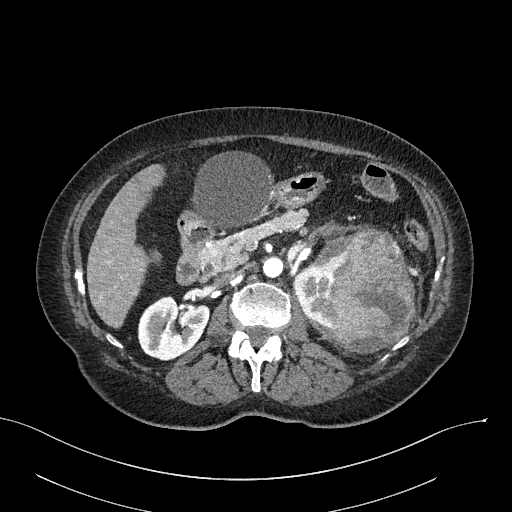
One axial slice (146 of 316, counting up from the lowest) of an arterial-phase abdominal CT acquired with 100 kVp, kernel I40f; each pixel is 0.840 mm and the slice is 2.00 mm thick.
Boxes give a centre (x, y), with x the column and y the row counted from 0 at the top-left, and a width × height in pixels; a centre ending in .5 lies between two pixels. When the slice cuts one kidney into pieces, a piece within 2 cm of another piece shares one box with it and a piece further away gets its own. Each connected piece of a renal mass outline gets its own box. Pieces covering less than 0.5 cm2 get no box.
Two kidney boxes and one renal mass box on this slice; by box centre, from the image's left to its right: (1) Right kidney, box centre (172.5, 327.5), 72 × 66 pixels (outlined area 3,455 px, about 24.4 cm2). (2) Box centre (313.5, 295), 44 × 57 pixels: left kidney (outlined area 1,741 px, about 12.3 cm2). (3) Box centre (359, 289), 111 × 129 pixels: left renal mass (outlined area 9,569 px, about 67.5 cm2).